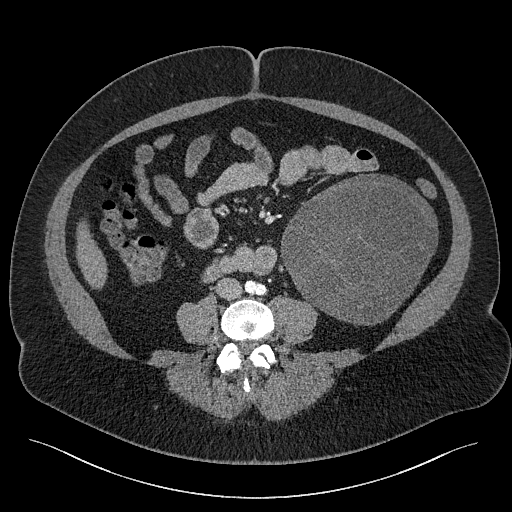
One axial slice (76 of 301, counting up from the lowest) of a contrast-enhanced abdominal CT acquired with 120 kVp, kernel I40f; each pixel is 0.859 mm and the slice is 2.00 mm thick.
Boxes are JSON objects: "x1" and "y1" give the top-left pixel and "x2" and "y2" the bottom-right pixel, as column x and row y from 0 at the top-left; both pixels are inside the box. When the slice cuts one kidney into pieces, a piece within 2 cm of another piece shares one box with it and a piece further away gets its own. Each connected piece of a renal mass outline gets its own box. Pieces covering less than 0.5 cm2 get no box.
Box {"x1": 281, "y1": 174, "x2": 437, "y2": 325}: left renal mass (outlined area 17,456 px, about 128.9 cm2); this slice has no kidney outline, though on another slice the same outlined renal mass lies within 1 cm of the kidney.